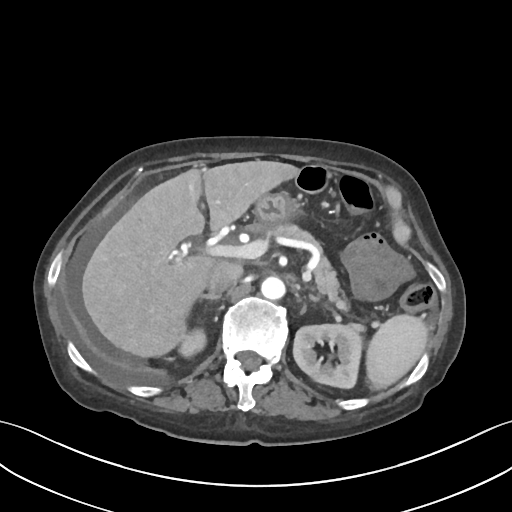
One axial slice (57 of 109, counting up from the lowest) of a contrast-enhanced abdominal CT acquired with 120 kVp, kernel I30f; each pixel is 0.742 mm and the slice is 3.00 mm thick.
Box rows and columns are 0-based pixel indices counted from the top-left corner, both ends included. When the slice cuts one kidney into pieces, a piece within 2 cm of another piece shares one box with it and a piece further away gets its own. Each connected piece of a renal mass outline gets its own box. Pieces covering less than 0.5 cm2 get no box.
Two boxes on this slice (two kidney boxes), listed by box centre from the image's left to its right. (1) Box rows 327–357, columns 177–207: right kidney (outlined area 727 px, about 4.0 cm2). (2) Left kidney at rows 321–389, columns 292–364 (outlined area 3,807 px, about 21.0 cm2).